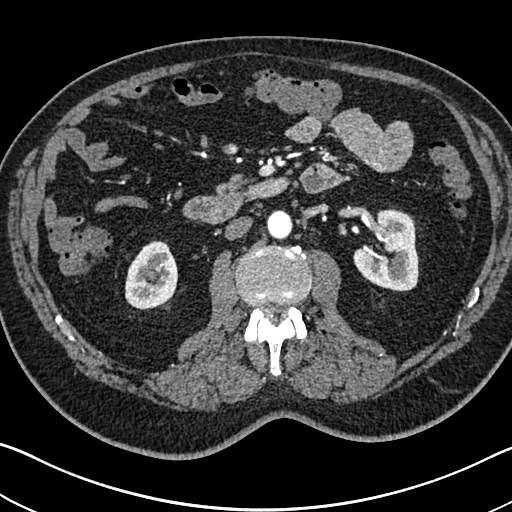
One axial slice (393 of 705, counting up from the lowest) of an arterial-phase abdominal CT acquired with 120 kVp, kernel I30f; each pixel is 0.703 mm and the slice is 1.00 mm thick.
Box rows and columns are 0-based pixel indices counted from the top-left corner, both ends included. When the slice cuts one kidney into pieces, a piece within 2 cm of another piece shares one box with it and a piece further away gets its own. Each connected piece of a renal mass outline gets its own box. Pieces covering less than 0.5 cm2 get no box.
Boxed on this slice (two kidney boxes), listed by box centre from the image's left to its right: (1) Right kidney, box rows 240–309, columns 125–178 (outlined area 2,850 px, about 14.1 cm2). (2) Left kidney at rows 208–291, columns 353–418 (outlined area 3,928 px, about 19.4 cm2). This slice carries no renal mass outline.